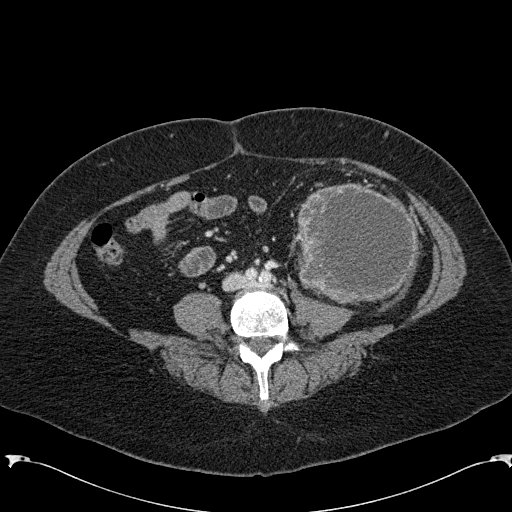
One axial slice (44 of 285, counting up from the lowest) of an arterial-phase abdominal CT acquired with 120 kVp, kernel B31f; each pixel is 0.762 mm and the slice is 2.00 mm thick.
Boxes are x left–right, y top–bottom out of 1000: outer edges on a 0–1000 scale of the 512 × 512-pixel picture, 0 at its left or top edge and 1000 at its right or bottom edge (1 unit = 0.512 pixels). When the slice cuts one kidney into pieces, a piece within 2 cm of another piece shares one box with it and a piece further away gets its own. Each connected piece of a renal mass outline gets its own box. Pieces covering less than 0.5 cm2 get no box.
Box x 564–818, y 355–596 out of 1000: left renal mass (outlined area 12,060 px, about 70.0 cm2); no kidney outline appears on this slice, but the same outlined renal mass comes within 1 cm of the kidney on another slice.